Axial slice 325 of 738 of a contrast-enhanced abdominal CT in the arterial phase (slice 1 is the lowest), 120 kVp, kernel I30f; 1.00 mm slice thickness and 0.789 mm pixels.
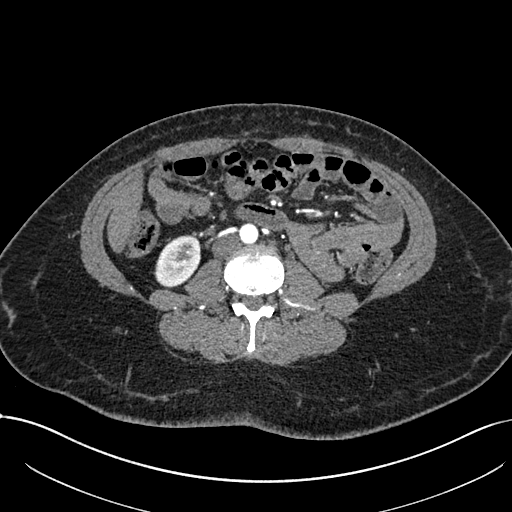
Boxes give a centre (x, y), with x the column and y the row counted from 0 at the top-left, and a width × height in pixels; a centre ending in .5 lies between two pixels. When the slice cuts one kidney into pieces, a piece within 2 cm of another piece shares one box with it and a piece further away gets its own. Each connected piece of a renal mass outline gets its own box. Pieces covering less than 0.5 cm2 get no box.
Right kidney in a box with centre (177.5, 261.5), 48 × 54 pixels (outlined area 1,839 px, about 11.4 cm2). No renal mass outline on this slice.